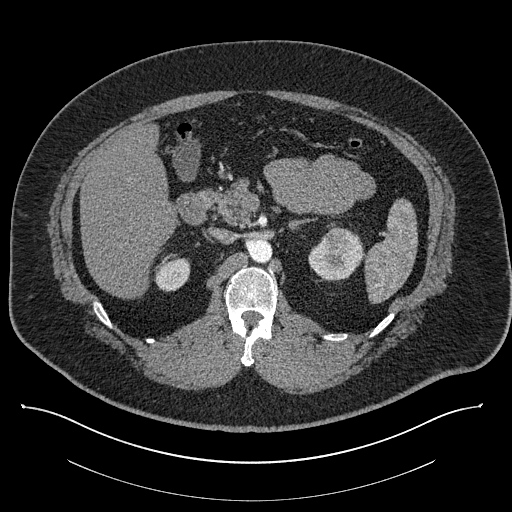
One axial slice (543 of 787, counting up from the lowest) of a contrast-enhanced abdominal CT acquired with 140 kVp, kernel I30f; each pixel is 0.910 mm and the slice is 1.00 mm thick.
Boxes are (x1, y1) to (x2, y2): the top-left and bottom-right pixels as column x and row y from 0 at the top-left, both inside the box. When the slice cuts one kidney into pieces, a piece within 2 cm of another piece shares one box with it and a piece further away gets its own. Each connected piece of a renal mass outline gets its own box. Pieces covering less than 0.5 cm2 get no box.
Two kidney boxes and one renal mass box on this slice; by box centre, from the image's left to its right: (1) Box (154, 257) to (190, 292): right kidney (outlined area 960 px, about 8.0 cm2). (2) Left renal mass from (324, 227) to (348, 250) (outlined area 464 px, about 3.8 cm2). (3) Left kidney, box (308, 228) to (364, 280) (outlined area 1,754 px, about 14.5 cm2).